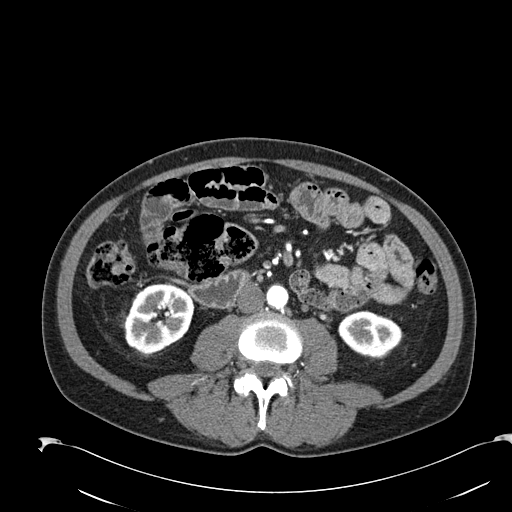
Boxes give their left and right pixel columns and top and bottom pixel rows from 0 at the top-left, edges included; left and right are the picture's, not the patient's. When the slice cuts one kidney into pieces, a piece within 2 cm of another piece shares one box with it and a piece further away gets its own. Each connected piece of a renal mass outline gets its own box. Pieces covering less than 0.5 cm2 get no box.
Slice 73/274 of a contrast-enhanced abdominal CT in the arterial phase, counting up from the lowest; pixel size 0.809 mm, slice thickness 2.00 mm. Two boxes on this slice (two kidney boxes), listed by box centre from the image's left to its right. (1) Right kidney, the box with left 123, top 283, right 194, bottom 354 (outlined area 3,777 px, about 24.7 cm2). (2) Box with left 338, top 310, right 401, bottom 357: left kidney (outlined area 2,261 px, about 14.8 cm2). No renal mass is outlined on this slice.
Scan settings: 120 kVp, B30f reconstruction kernel.